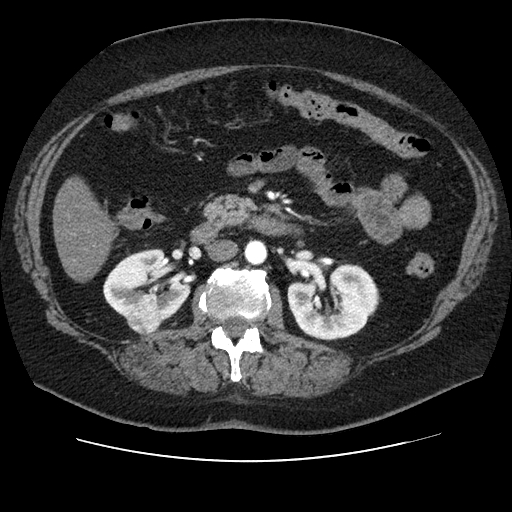
Abdominal CT with intravenous contrast, arterial phase, axial plane, 120 kVp, kernel STANDARD. Slice 54/106 from the bottom of the scan; thickness 2.50 mm; pixel size 0.742 mm.
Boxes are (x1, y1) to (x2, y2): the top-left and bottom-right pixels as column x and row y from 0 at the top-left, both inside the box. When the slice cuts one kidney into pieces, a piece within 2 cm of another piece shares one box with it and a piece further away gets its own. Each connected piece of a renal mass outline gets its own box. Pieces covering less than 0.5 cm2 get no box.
Two kidney boxes and one renal mass box on this slice; by box centre, from the image's left to its right: (1) Right renal mass, box (126, 293) to (162, 336) (outlined area 1,107 px, about 6.1 cm2). (2) Right kidney from (103, 248) to (190, 321) (outlined area 3,944 px, about 21.7 cm2). (3) Box (287, 263) to (380, 340): left kidney (outlined area 5,188 px, about 28.6 cm2).